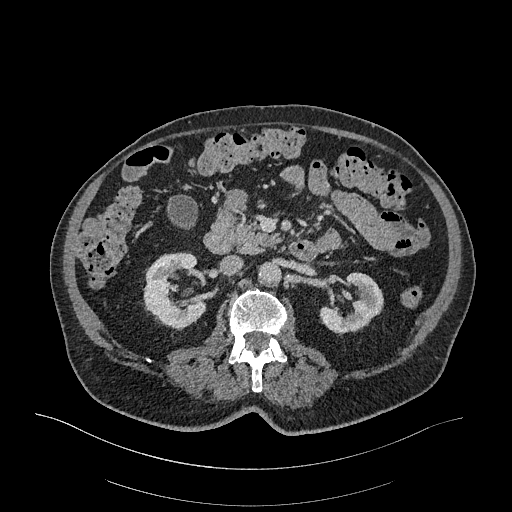
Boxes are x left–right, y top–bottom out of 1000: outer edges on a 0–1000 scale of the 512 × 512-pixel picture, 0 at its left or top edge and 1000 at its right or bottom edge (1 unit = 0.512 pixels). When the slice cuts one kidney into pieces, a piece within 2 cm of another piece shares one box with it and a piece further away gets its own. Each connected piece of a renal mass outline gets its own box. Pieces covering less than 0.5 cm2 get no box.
Arterial-phase contrast-enhanced abdominal CT, axial slice 166 of 470 (counted from the lowest slice); 1.00 mm thick, 0.938 mm per pixel. Boxed on this slice (two kidney boxes), listed by box centre from the image's left to its right: (1) Box x 279–402, y 492–645 out of 1000: right kidney (outlined area 3,444 px, about 30.3 cm2). (2) Left kidney at x 623–750, y 531–656 out of 1000 (outlined area 2,467 px, about 21.7 cm2). No renal mass is outlined on this slice.
Tube voltage 120 kVp; convolution kernel I26f.